Arterial-phase contrast-enhanced abdominal CT, axial slice 65 of 83 (counted from the lowest slice); tube voltage 120 kVp, convolution kernel STANDARD; slices 5.00 mm thick, 0.775 mm per pixel.
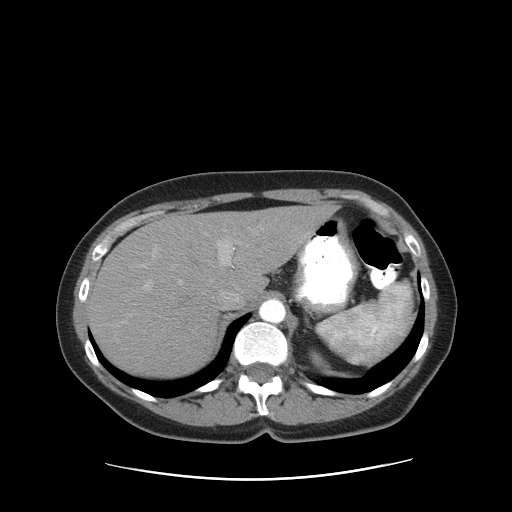
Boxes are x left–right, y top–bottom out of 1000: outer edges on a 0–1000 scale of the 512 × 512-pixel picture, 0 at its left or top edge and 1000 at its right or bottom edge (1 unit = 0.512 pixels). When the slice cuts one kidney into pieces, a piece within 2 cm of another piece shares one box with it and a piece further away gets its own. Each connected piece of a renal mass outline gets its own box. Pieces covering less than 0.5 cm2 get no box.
Left kidney, box x 605–658, y 684–730 out of 1000 (outlined area 296 px, about 1.8 cm2). No renal mass is outlined on this slice.